One axial slice (442 of 553, counting up from the lowest) of an arterial-phase abdominal CT acquired with 120 kVp, kernel B20f; each pixel is 0.773 mm and the slice is 1.00 mm thick.
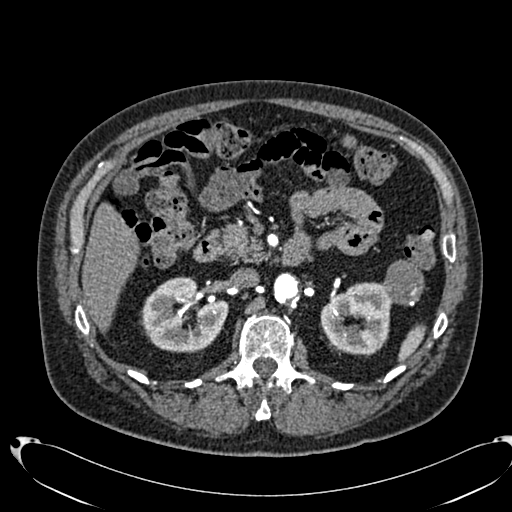
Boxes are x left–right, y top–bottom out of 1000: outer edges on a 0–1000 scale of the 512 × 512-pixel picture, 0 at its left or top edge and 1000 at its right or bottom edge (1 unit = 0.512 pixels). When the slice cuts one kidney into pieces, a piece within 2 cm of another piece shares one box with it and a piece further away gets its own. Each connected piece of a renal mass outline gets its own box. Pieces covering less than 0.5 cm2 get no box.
Boxed on this slice (two kidney boxes and one renal mass box), listed by box centre from the image's left to its right: (1) Box x 273–447, y 539–689 out of 1000: right kidney (outlined area 4,820 px, about 28.8 cm2). (2) Left kidney at x 625–766, y 551–695 out of 1000 (outlined area 3,916 px, about 23.4 cm2). (3) Left renal mass at x 748–830, y 506–600 out of 1000 (outlined area 1,510 px, about 9.0 cm2).